Abdominal CT with intravenous contrast, arterial phase, axial plane, 120 kVp, kernel B30f. Slice 407/723 from the bottom of the scan; thickness 1.00 mm; pixel size 0.895 mm.
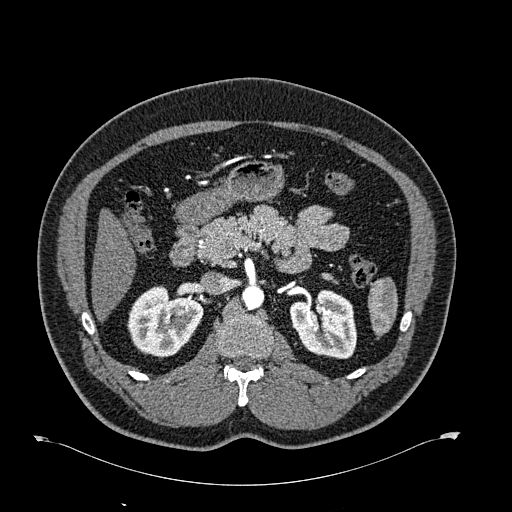
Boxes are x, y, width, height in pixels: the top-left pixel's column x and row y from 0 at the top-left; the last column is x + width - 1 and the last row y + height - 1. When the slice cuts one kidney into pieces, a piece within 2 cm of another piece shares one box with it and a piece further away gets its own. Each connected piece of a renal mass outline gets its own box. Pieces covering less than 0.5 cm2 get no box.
Boxed on this slice (two kidney boxes), listed by box centre from the image's left to its right: (1) Right kidney at x 127, y 285, width 77, height 73 (outlined area 3,971 px, about 31.8 cm2). (2) Box x 290, y 289, width 67, height 70: left kidney (outlined area 3,533 px, about 28.3 cm2). This slice carries no renal mass outline.